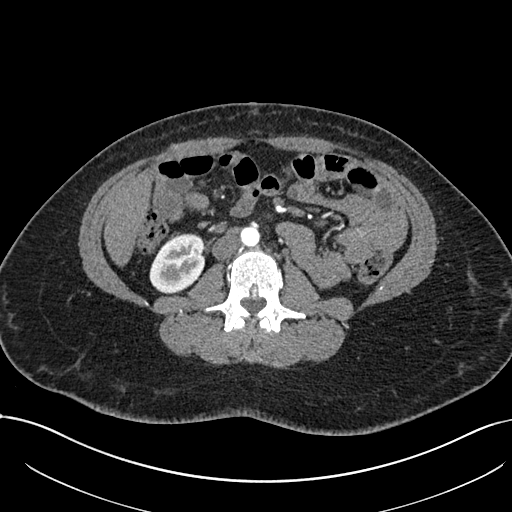
Arterial-phase contrast-enhanced abdominal CT, axial slice 344 of 738 (counted from the lowest slice); tube voltage 120 kVp, convolution kernel I30f; slices 1.00 mm thick, 0.789 mm per pixel.
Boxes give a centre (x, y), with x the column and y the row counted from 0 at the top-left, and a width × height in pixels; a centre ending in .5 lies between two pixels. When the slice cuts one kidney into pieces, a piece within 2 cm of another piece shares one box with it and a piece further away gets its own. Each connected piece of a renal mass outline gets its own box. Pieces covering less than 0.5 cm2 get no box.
Right kidney, box centre (176.5, 262.5), 56 × 60 pixels (outlined area 2,522 px, about 15.7 cm2). This slice carries no renal mass outline.